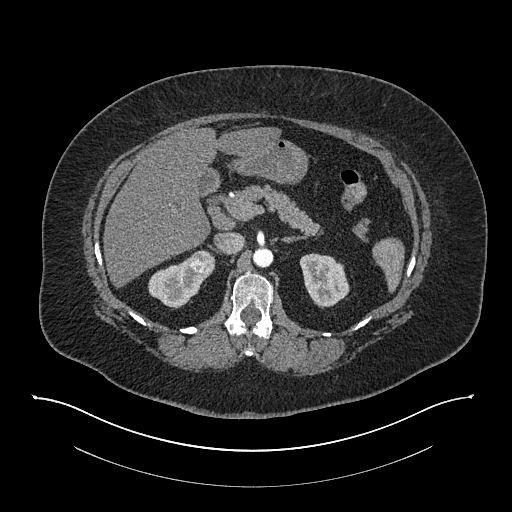
Axial slice 535 of 673 of a contrast-enhanced abdominal CT in the arterial phase (slice 1 is the lowest), 140 kVp, kernel I30f; 1.00 mm slice thickness and 0.957 mm pixels.
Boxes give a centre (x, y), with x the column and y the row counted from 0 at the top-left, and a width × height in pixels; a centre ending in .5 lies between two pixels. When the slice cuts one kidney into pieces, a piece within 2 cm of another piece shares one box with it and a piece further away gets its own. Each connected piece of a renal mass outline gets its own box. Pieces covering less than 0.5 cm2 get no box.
Two kidney boxes and one renal mass box on this slice; by box centre, from the image's left to its right: (1) Box centre (180, 282), 65 × 53 pixels: right kidney (outlined area 1,866 px, about 17.1 cm2). (2) Box centre (202.5, 261.5), 26 × 24 pixels: right renal mass (outlined area 481 px, about 4.4 cm2). (3) Box centre (324, 280.5), 51 × 56 pixels: left kidney (outlined area 2,013 px, about 18.4 cm2).